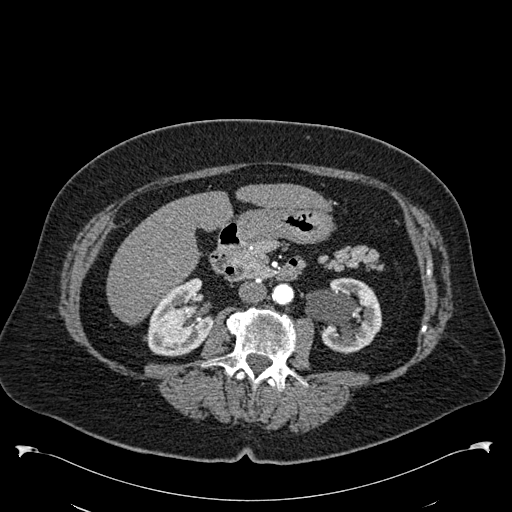
Abdominal CT with intravenous contrast, arterial phase, axial plane, 120 kVp, kernel B30f. Slice 305/538 from the bottom of the scan; thickness 1.00 mm; pixel size 0.811 mm.
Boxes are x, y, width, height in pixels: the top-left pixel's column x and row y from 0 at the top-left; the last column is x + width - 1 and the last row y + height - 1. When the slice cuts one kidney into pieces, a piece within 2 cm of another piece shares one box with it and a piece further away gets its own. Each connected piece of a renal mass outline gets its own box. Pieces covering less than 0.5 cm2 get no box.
Two boxes on this slice (two kidney boxes), listed by box centre from the image's left to its right. (1) Right kidney, box x 146, y 278, width 68, height 79 (outlined area 3,725 px, about 24.5 cm2). (2) Left kidney, box x 304, y 277, width 79, height 76 (outlined area 4,076 px, about 26.8 cm2). No renal mass outline on this slice.